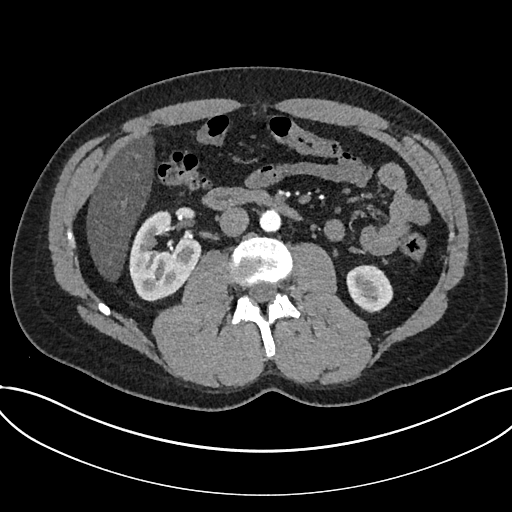
Abdominal CT with intravenous contrast, arterial phase, axial plane, 120 kVp, kernel I30f. Slice 378/735 from the bottom of the scan; thickness 1.00 mm; pixel size 0.789 mm.
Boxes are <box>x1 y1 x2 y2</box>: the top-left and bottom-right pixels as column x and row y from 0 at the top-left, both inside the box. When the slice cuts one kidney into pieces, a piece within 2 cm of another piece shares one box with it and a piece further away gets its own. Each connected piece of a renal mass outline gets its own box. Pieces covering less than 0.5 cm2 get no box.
Two boxes on this slice (two kidney boxes), listed by box centre from the image's left to its right. (1) Kidney: <box>129 210 200 301</box> (outlined area 4,365 px, about 27.2 cm2). (2) At <box>346 265 393 313</box>: kidney (outlined area 1,716 px, about 10.7 cm2). This slice carries no renal mass outline.